Abdominal CT with intravenous contrast, arterial phase, axial plane, 120 kVp, kernel B30f. Slice 403/538 from the bottom of the scan; thickness 1.00 mm; pixel size 0.811 mm.
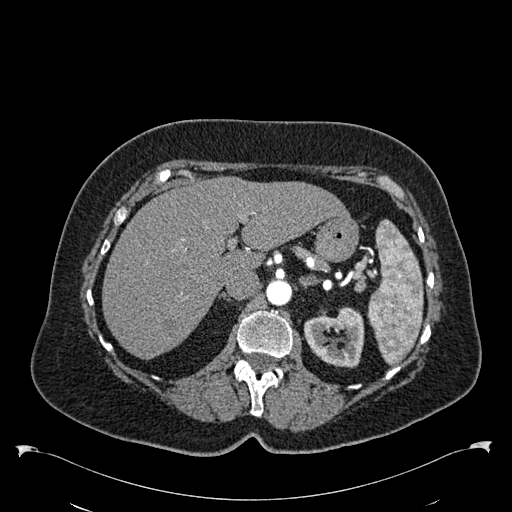
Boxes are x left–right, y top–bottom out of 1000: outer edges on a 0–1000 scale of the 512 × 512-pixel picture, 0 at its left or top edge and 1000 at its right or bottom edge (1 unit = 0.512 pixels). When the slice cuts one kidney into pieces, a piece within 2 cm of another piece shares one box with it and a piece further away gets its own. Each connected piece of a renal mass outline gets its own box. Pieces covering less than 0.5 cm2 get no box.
Box x 594–713, y 600–719 out of 1000: left kidney (outlined area 2,649 px, about 17.4 cm2). No renal mass is outlined on this slice.